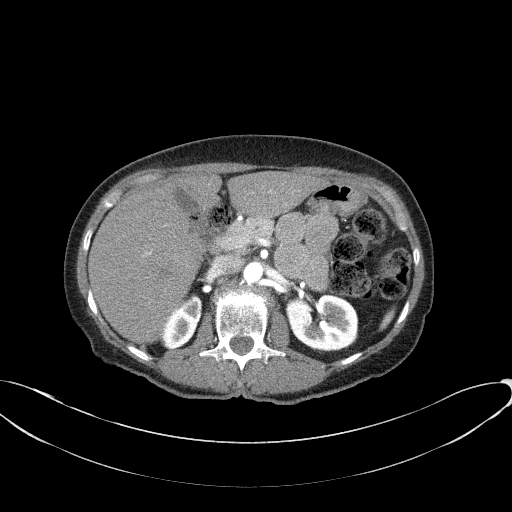
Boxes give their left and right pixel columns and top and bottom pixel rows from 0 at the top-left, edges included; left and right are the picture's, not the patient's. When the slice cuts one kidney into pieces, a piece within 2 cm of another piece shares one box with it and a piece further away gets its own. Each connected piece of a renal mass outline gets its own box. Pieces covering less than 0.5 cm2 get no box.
This is axial slice 41 of 77 (slice 1 is the lowest) of an arterial-phase abdominal CT with contrast; each pixel is 0.809 mm and the slice is 3.00 mm thick. Two kidney boxes on this slice; by box centre, from the image's left to its right: (1) Box with left 161, top 294, right 202, bottom 350: right kidney (outlined area 1,445 px, about 9.4 cm2). (2) Left kidney in the box with left 285, top 293, right 358, bottom 351 (outlined area 3,421 px, about 22.4 cm2). No renal mass outline on this slice.
Scan settings: 100 kVp, B41f reconstruction kernel.